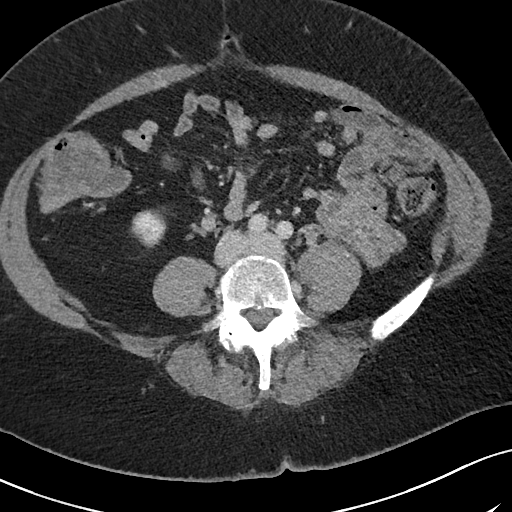
Abdominal CT with intravenous contrast, arterial phase, axial plane, 120 kVp, kernel I40f. Slice 20/69 from the bottom of the scan; thickness 3.00 mm; pixel size 0.664 mm.
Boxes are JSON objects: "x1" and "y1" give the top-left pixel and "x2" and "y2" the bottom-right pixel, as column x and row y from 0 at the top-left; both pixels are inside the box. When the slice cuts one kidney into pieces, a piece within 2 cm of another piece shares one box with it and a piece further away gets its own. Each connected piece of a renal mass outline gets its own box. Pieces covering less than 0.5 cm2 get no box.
Right kidney at {"x1": 131, "y1": 209, "x2": 166, "y2": 247} (outlined area 1,025 px, about 4.5 cm2). No renal mass outline on this slice.